Axial slice 269 of 673 of a contrast-enhanced abdominal CT in the arterial phase (slice 1 is the lowest), 120 kVp, kernel I30f; 1.00 mm slice thickness and 0.855 mm pixels.
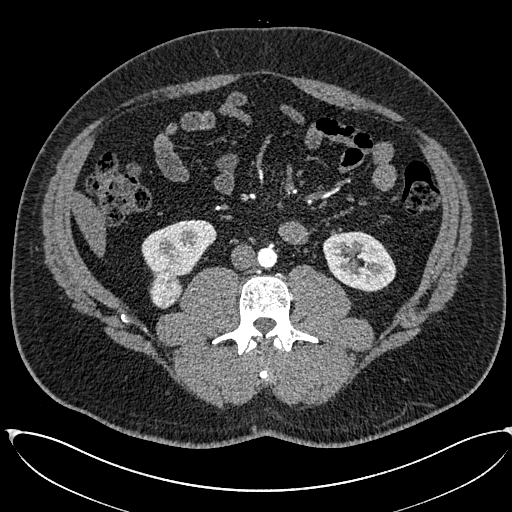
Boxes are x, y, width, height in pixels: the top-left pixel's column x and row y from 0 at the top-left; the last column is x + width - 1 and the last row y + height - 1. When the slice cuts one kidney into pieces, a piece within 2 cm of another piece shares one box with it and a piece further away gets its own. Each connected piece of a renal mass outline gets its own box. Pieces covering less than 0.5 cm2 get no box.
Boxed on this slice (two kidney boxes and one renal mass box), listed by box centre from the image's left to its right: (1) Box x 149, y 270, width 33, height 39: right renal mass (outlined area 980 px, about 7.2 cm2). (2) Right kidney, box x 141, y 219, width 76, height 58 (outlined area 3,012 px, about 22.0 cm2). (3) Left kidney, box x 323, y 231, width 74, height 61 (outlined area 3,309 px, about 24.2 cm2).